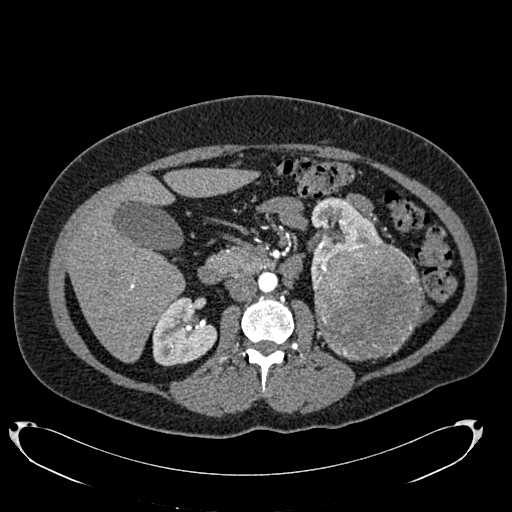
Abdominal CT with intravenous contrast, arterial phase, axial plane, 120 kVp, kernel B20f. Slice 424/634 from the bottom of the scan; thickness 1.00 mm; pixel size 0.838 mm.
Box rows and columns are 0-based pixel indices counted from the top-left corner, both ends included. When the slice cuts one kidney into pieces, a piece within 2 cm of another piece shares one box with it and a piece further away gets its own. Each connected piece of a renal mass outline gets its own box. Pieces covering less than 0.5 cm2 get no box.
Three boxes on this slice (two kidney boxes and one renal mass box), listed by box centre from the image's left to its right. (1) Box rows 297–366, columns 152–217: right kidney (outlined area 3,232 px, about 22.7 cm2). (2) Left kidney, box rows 197–282, columns 309–384 (outlined area 3,134 px, about 22.0 cm2). (3) Left renal mass, box rows 242–360, columns 312–422 (outlined area 10,408 px, about 73.1 cm2).